Axial slice 74 of 301 of a contrast-enhanced abdominal CT (slice 1 is the lowest), 120 kVp, kernel I40f; 2.00 mm slice thickness and 0.859 mm pixels.
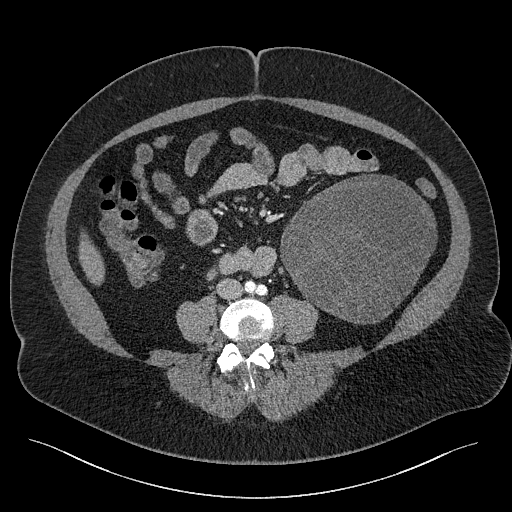
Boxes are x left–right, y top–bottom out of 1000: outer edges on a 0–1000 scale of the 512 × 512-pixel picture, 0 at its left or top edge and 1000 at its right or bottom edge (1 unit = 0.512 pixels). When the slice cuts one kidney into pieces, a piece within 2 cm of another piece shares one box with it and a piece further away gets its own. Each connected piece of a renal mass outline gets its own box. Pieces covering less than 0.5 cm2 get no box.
Left renal mass at x 547–854, y 340–635 out of 1000 (outlined area 17,111 px, about 126.4 cm2); no kidney is outlined on this slice, but the same outlined renal mass comes within 1 cm of the kidney on another slice.